Arterial-phase contrast-enhanced abdominal CT, axial slice 99 of 470 (counted from the lowest slice); tube voltage 120 kVp, convolution kernel I26f; slices 1.00 mm thick, 0.938 mm per pixel.
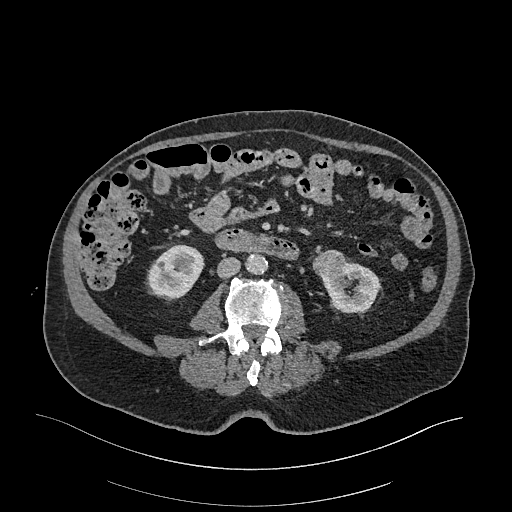
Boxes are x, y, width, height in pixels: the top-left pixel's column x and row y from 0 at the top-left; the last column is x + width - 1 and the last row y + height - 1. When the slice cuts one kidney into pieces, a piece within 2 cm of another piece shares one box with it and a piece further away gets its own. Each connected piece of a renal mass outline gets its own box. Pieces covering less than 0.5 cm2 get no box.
Two kidney boxes and one renal mass box on this slice; by box centre, from the image's left to its right: (1) Box x 147, y 244, width 58, height 57: right kidney (outlined area 2,300 px, about 20.2 cm2). (2) Left renal mass at x 312, y 250, width 35, height 33 (outlined area 875 px, about 7.7 cm2). (3) Box x 322, y 258, width 57, height 56: left kidney (outlined area 1,905 px, about 16.7 cm2).